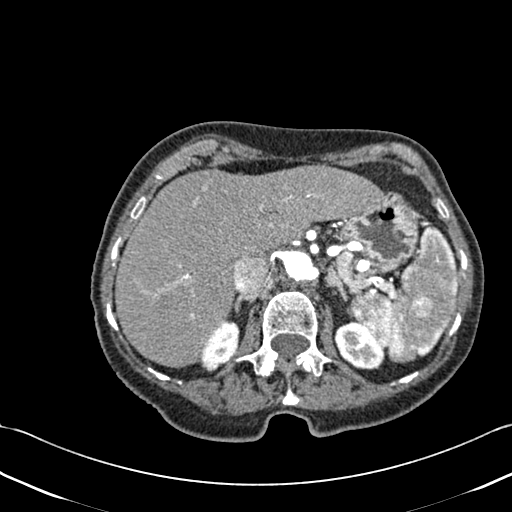
One axial slice (328 of 433, counting up from the lowest) of a contrast-enhanced abdominal CT acquired with 120 kVp, kernel B30f; each pixel is 0.672 mm and the slice is 1.00 mm thick.
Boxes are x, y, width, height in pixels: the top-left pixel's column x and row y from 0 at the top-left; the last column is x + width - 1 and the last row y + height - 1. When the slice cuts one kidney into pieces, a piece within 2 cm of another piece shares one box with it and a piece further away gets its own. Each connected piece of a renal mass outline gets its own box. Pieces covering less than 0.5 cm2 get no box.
Boxed on this slice (two kidney boxes), listed by box centre from the image's left to its right: (1) Right kidney at x 201, y 319, width 39, height 54 (outlined area 1,333 px, about 6.0 cm2). (2) Left kidney, box x 334, y 320, width 53, height 50 (outlined area 1,765 px, about 8.0 cm2). No renal mass outline on this slice.